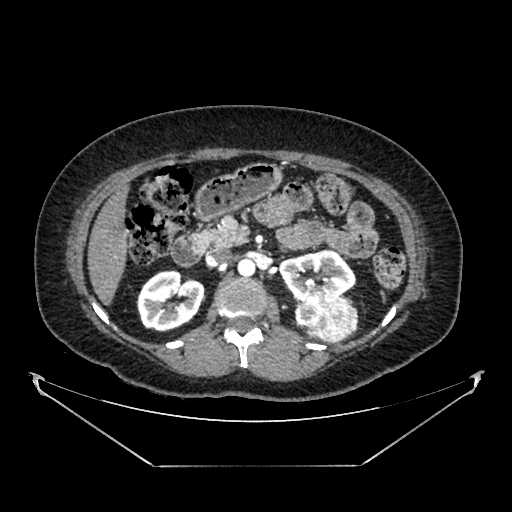
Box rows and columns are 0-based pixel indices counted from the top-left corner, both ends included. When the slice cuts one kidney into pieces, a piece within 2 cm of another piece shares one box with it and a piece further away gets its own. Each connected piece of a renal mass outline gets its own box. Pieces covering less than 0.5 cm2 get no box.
Slice 241/383 of a contrast-enhanced abdominal CT in the arterial phase, counting up from the lowest; pixel size 0.898 mm, slice thickness 1.25 mm. Three boxes on this slice (two kidney boxes and one renal mass box), listed by box centre from the image's left to its right. (1) Right kidney at rows 269–331, columns 136–205 (outlined area 3,204 px, about 25.9 cm2). (2) Left kidney, box rows 249–301, columns 279–355 (outlined area 2,758 px, about 22.3 cm2). (3) Left renal mass, box rows 291–344, columns 295–358 (outlined area 2,569 px, about 20.7 cm2).
Scan settings: 100 kVp, SOFT reconstruction kernel.